One axial slice (344 of 591, counting up from the lowest) of an arterial-phase abdominal CT acquired with 140 kVp, kernel I30f; each pixel is 0.703 mm and the slice is 1.00 mm thick.
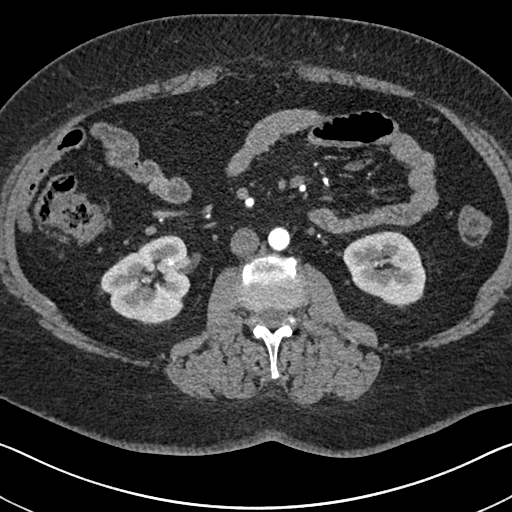
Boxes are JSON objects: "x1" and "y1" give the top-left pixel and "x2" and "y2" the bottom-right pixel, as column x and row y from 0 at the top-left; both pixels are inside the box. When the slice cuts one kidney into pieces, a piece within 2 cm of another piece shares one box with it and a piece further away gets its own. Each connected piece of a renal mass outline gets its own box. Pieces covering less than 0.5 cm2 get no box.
Boxed on this slice (two kidney boxes), listed by box centre from the image's left to its right: (1) Box {"x1": 100, "y1": 235, "x2": 191, "y2": 325}: right kidney (outlined area 5,852 px, about 28.9 cm2). (2) Box {"x1": 342, "y1": 231, "x2": 426, "y2": 304}: left kidney (outlined area 4,615 px, about 22.8 cm2). No renal mass is outlined on this slice.